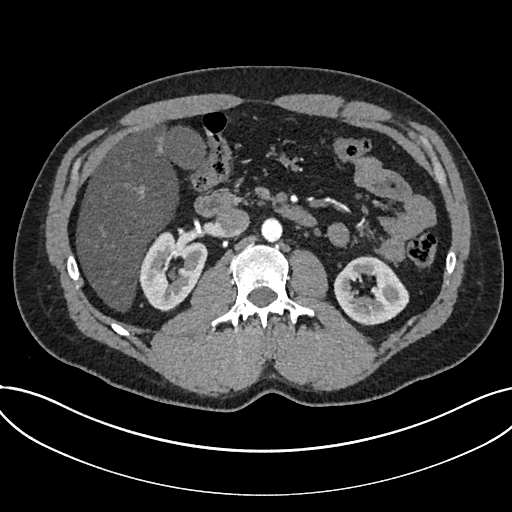
Arterial-phase contrast-enhanced abdominal CT, axial slice 416 of 735 (counted from the lowest slice); tube voltage 120 kVp, convolution kernel I30f; slices 1.00 mm thick, 0.789 mm per pixel.
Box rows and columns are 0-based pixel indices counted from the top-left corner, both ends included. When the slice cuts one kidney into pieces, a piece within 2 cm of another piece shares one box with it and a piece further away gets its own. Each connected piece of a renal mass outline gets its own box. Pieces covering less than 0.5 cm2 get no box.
Boxed on this slice (two kidney boxes), listed by box centre from the image's left to its right: (1) Kidney, box rows 231–311, columns 138–206 (outlined area 3,791 px, about 23.6 cm2). (2) Box rows 255–325, columns 333–409: kidney (outlined area 3,579 px, about 22.3 cm2). No renal mass outline on this slice.